Arterial-phase contrast-enhanced abdominal CT, axial slice 405 of 705 (counted from the lowest slice); tube voltage 120 kVp, convolution kernel I30f; slices 1.00 mm thick, 0.703 mm per pixel.
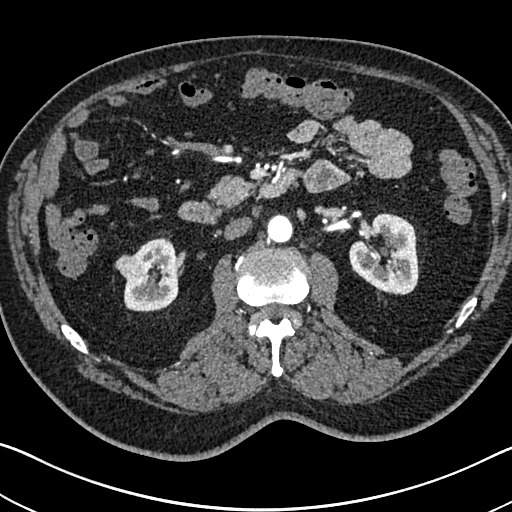
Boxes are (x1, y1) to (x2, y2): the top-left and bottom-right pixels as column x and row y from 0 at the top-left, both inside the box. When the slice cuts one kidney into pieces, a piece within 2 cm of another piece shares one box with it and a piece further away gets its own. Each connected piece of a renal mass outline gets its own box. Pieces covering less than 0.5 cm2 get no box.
Boxed on this slice (two kidney boxes and one renal mass box), listed by box centre from the image's left to its right: (1) Box (114, 254) to (147, 280): right renal mass (outlined area 631 px, about 3.1 cm2). (2) Right kidney, box (124, 238) to (178, 312) (outlined area 2,892 px, about 14.3 cm2). (3) Left kidney, box (349, 213) to (419, 294) (outlined area 4,208 px, about 20.8 cm2).